Abdominal CT with intravenous contrast, arterial phase, axial plane, 120 kVp, kernel I30f. Slice 335/626 from the bottom of the scan; thickness 1.00 mm; pixel size 0.703 mm.
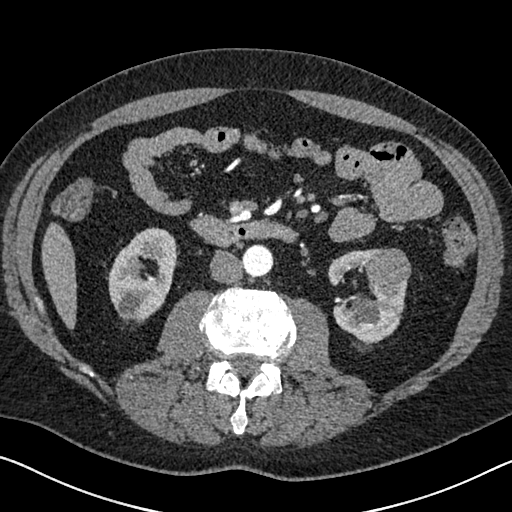
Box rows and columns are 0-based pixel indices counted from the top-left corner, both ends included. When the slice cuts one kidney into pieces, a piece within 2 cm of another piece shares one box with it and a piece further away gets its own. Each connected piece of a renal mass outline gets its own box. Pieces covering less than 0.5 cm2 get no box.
Boxed on this slice (two kidney boxes and one renal mass box), listed by box centre from the image's left to its right: (1) Right kidney, box rows 227–323, columns 107–177 (outlined area 4,650 px, about 23.0 cm2). (2) Left kidney at rows 248–342, columns 328–407 (outlined area 4,034 px, about 19.9 cm2). (3) Box rows 248–287, columns 365–411: left renal mass (outlined area 1,466 px, about 7.2 cm2).